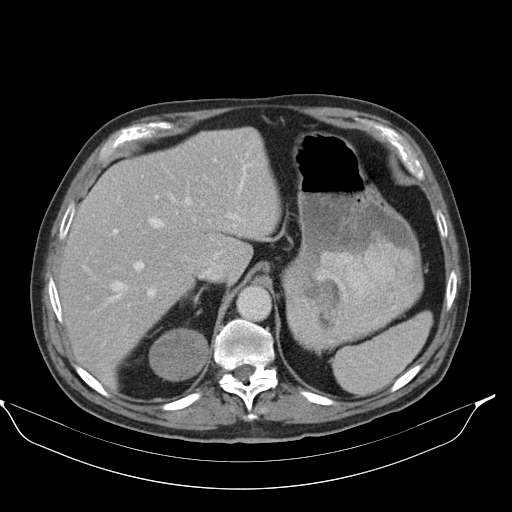
Contrast-enhanced abdominal CT, axial slice 75 of 98 (counted from the lowest slice); tube voltage 130 kVp, convolution kernel B30s; slices 5.00 mm thick, 0.840 mm per pixel.
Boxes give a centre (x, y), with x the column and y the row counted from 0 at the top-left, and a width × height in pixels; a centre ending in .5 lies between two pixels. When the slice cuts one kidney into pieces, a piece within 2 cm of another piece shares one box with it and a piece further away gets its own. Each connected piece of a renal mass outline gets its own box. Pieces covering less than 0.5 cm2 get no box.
Right renal mass in a box with centre (178.5, 354.5), 60 × 54 pixels (outlined area 2,451 px, about 17.3 cm2); this slice has no kidney outline, though on another slice the same outlined renal mass lies within 1 cm of the kidney.